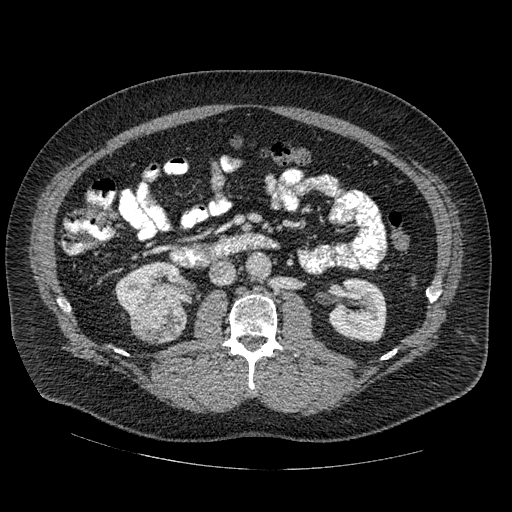
Arterial-phase contrast-enhanced abdominal CT, axial slice 264 of 445 (counted from the lowest slice); tube voltage 120 kVp, convolution kernel STANDARD; slices 1.25 mm thick, 0.863 mm per pixel.
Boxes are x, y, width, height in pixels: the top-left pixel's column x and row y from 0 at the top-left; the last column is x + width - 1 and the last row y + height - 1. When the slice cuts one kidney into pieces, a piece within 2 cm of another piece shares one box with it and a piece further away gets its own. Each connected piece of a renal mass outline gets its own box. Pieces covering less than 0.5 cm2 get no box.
Boxed on this slice (two kidney boxes and one renal mass box), listed by box centre from the image's left to its right: (1) Right kidney, box x 115, y 262, width 78, height 54 (outlined area 2,804 px, about 20.9 cm2). (2) Box x 131, y 306, width 57, height 38: right renal mass (outlined area 1,749 px, about 13.0 cm2). (3) Left kidney, box x 328, y 278, width 59, height 65 (outlined area 2,873 px, about 21.4 cm2).